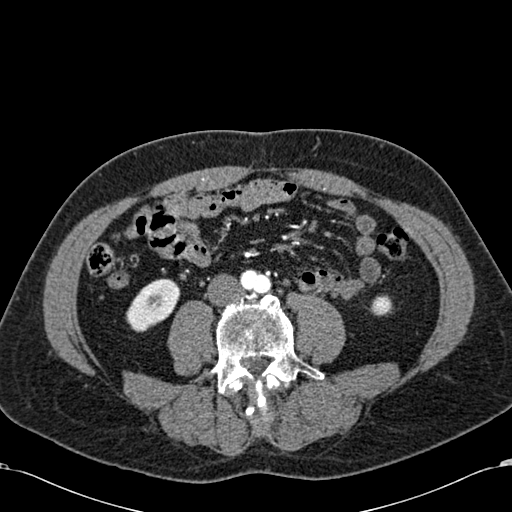
Arterial-phase contrast-enhanced abdominal CT, axial slice 212 of 581 (counted from the lowest slice); tube voltage 120 kVp, convolution kernel B30f; slices 1.00 mm thick, 0.713 mm per pixel.
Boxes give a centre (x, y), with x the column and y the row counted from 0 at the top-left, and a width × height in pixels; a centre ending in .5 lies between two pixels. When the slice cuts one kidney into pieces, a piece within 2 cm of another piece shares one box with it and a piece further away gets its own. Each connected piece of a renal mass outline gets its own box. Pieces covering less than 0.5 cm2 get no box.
Boxed on this slice (two kidney boxes), listed by box centre from the image's left to its right: (1) Right kidney, box centre (153, 305), 55 × 55 pixels (outlined area 1,942 px, about 9.9 cm2). (2) Box centre (380.5, 304.5), 24 × 20 pixels: left kidney (outlined area 376 px, about 1.9 cm2). No renal mass is outlined on this slice.